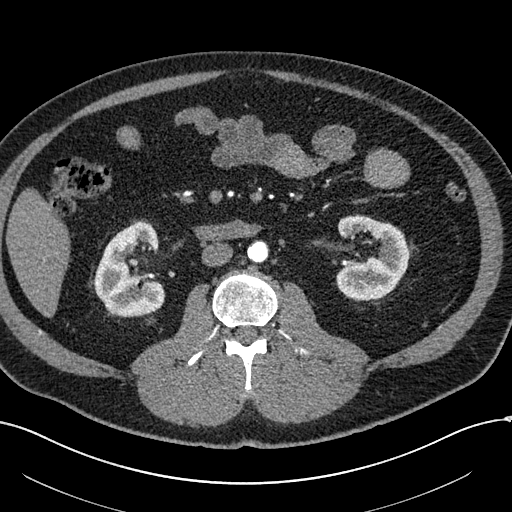
Arterial-phase contrast-enhanced abdominal CT, axial slice 285 of 602 (counted from the lowest slice); tube voltage 120 kVp, convolution kernel I30f; slices 1.00 mm thick, 0.799 mm per pixel.
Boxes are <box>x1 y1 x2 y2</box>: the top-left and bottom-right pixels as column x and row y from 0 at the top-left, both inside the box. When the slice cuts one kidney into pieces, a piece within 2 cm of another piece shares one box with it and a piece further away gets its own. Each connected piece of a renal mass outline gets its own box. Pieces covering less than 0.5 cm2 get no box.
Two boxes on this slice (two kidney boxes), listed by box centre from the image's left to its right. (1) Right kidney at <box>94 222 165 316</box> (outlined area 4,782 px, about 30.5 cm2). (2) At <box>335 215 409 300</box>: left kidney (outlined area 4,554 px, about 29.1 cm2). No renal mass outline on this slice.